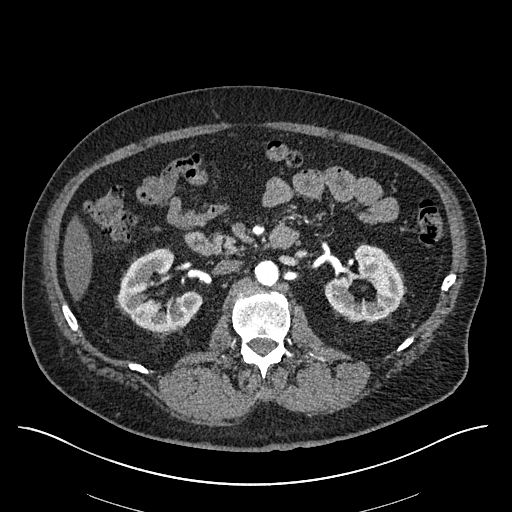
Axial slice 338 of 670 of a contrast-enhanced abdominal CT in the arterial phase (slice 1 is the lowest), 120 kVp, kernel I30f; 1.00 mm slice thickness and 0.861 mm pixels.
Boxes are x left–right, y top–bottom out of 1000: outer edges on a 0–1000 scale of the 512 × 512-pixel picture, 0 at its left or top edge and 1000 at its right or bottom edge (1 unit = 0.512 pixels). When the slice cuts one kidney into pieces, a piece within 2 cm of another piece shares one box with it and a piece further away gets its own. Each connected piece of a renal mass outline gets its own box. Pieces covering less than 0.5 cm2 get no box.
Boxed on this slice (two kidney boxes), listed by box centre from the image's left to its right: (1) Right kidney, box x 229–395, y 484–648 out of 1000 (outlined area 4,214 px, about 31.3 cm2). (2) Left kidney at x 633–789, y 477–627 out of 1000 (outlined area 3,908 px, about 29.0 cm2).